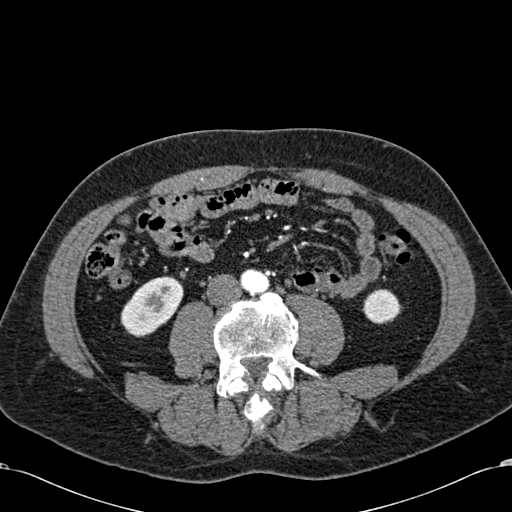
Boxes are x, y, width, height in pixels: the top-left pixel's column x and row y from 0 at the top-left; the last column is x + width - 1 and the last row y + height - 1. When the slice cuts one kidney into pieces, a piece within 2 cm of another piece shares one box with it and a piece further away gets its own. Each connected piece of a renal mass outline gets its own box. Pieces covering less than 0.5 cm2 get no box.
This is axial slice 219 of 581 (slice 1 is the lowest) of an arterial-phase abdominal CT with contrast; each pixel is 0.713 mm and the slice is 1.00 mm thick. Two boxes on this slice (two kidney boxes), listed by box centre from the image's left to its right. (1) Right kidney, box x 120, y 276, width 64, height 62 (outlined area 2,596 px, about 13.2 cm2). (2) Box x 362, y 289, width 38, height 36: left kidney (outlined area 1,035 px, about 5.3 cm2). This slice carries no renal mass outline.
Scan settings: 120 kVp, B30f reconstruction kernel.